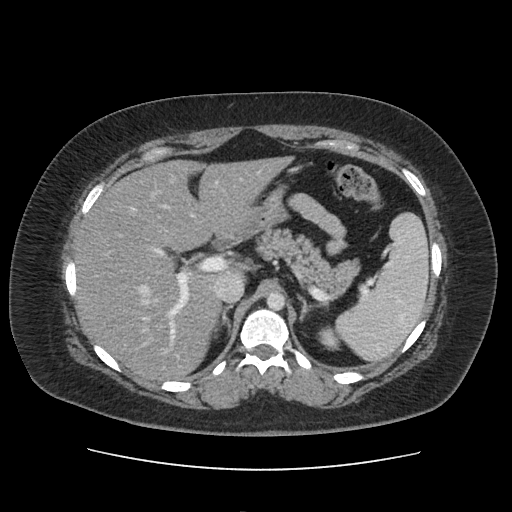
Arterial-phase contrast-enhanced abdominal CT, axial slice 82 of 103 (counted from the lowest slice); tube voltage 120 kVp, convolution kernel FC19; slices 5.00 mm thick, 0.873 mm per pixel.
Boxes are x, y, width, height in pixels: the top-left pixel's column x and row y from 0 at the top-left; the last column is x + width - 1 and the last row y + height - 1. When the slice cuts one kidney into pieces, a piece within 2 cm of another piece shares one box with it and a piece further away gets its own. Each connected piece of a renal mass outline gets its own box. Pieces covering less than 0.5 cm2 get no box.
Left kidney at x 317, y 325, width 24, height 26 (outlined area 417 px, about 3.2 cm2). This slice carries no renal mass outline.